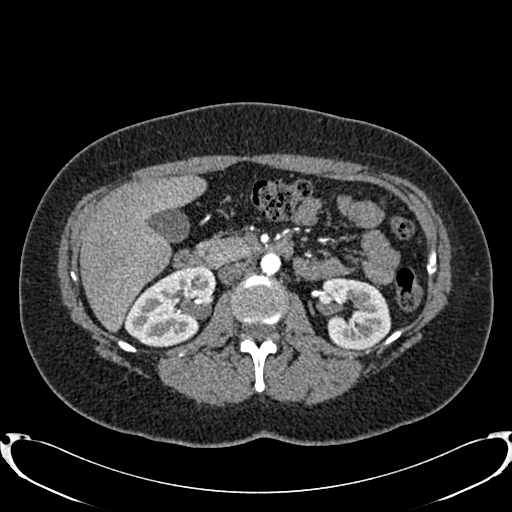
Arterial-phase contrast-enhanced abdominal CT, axial slice 468 of 719 (counted from the lowest slice); tube voltage 120 kVp, convolution kernel B20f; slices 1.00 mm thick, 0.766 mm per pixel.
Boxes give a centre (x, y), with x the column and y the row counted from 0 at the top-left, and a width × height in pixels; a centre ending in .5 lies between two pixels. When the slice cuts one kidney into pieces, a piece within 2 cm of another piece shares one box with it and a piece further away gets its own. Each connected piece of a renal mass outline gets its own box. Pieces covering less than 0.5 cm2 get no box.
Two kidney boxes on this slice; by box centre, from the image's left to its right: (1) Box centre (169, 306.5), 91 × 82 pixels: right kidney (outlined area 5,159 px, about 30.2 cm2). (2) Box centre (356, 313.5), 71 × 74 pixels: left kidney (outlined area 3,932 px, about 23.0 cm2). No renal mass is outlined on this slice.